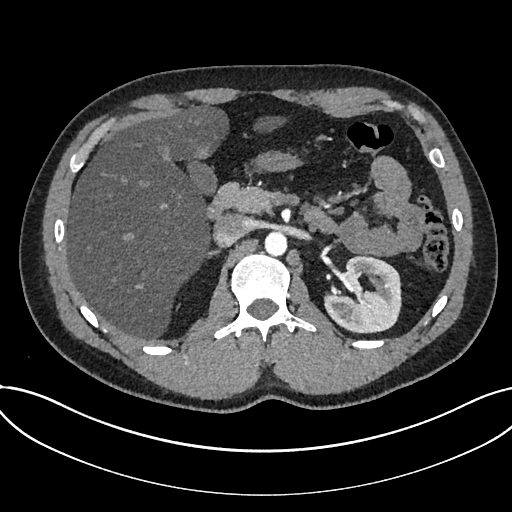
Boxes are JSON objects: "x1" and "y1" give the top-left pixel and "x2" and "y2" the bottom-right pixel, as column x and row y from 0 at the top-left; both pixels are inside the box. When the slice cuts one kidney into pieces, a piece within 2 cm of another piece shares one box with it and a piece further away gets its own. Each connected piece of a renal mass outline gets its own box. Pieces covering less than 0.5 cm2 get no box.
This is axial slice 480 of 735 (slice 1 is the lowest) of an arterial-phase abdominal CT with contrast; each pixel is 0.789 mm and the slice is 1.00 mm thick. Kidney at {"x1": 324, "y1": 254, "x2": 401, "y2": 332} (outlined area 4,558 px, about 28.4 cm2). No renal mass outline on this slice.
Scan settings: 120 kVp, I30f reconstruction kernel.